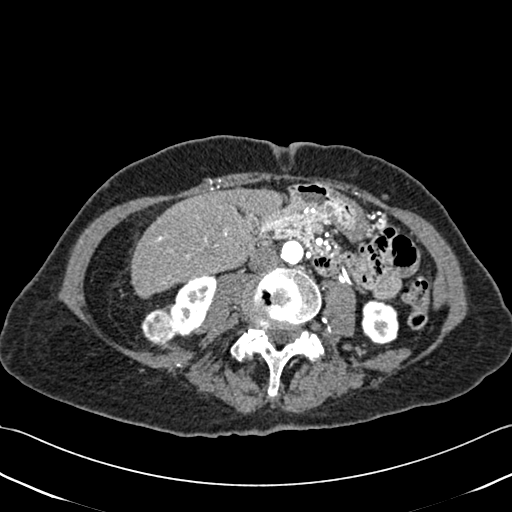
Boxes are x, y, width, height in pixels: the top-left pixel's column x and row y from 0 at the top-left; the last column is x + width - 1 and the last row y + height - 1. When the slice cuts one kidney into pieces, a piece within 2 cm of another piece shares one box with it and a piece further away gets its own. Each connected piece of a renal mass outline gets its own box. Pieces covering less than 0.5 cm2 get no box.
This is axial slice 175 of 433 (slice 1 is the lowest) of an abdominal CT with contrast; each pixel is 0.672 mm and the slice is 1.00 mm thick. Boxed on this slice (two kidney boxes and one renal mass box), listed by box centre from the image's left to its right: (1) Box x 141, y 307, width 35, height 38: right renal mass (outlined area 982 px, about 4.4 cm2). (2) Box x 166, y 275, width 50, height 62: right kidney (outlined area 1,919 px, about 8.7 cm2). (3) Left kidney at x 361, y 299, width 38, height 46 (outlined area 1,398 px, about 6.3 cm2).
Scan settings: 120 kVp, B30f reconstruction kernel.